One axial slice (31 of 64, counting up from the lowest) of a contrast-enhanced abdominal CT acquired with 120 kVp, kernel B; each pixel is 0.977 mm and the slice is 4.00 mm thick.
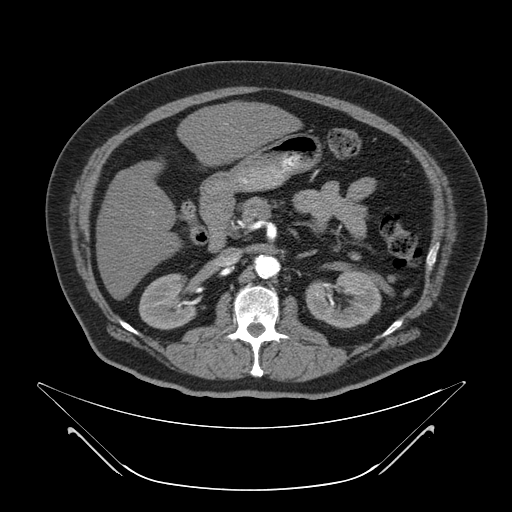
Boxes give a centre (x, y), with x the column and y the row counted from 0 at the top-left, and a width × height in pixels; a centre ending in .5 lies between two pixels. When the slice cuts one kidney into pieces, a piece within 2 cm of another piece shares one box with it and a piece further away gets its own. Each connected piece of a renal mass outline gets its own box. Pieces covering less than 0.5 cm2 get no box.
Boxed on this slice (two kidney boxes), listed by box centre from the image's left to its right: (1) Right kidney, box centre (168, 301), 59 × 57 pixels (outlined area 2,524 px, about 24.1 cm2). (2) Left kidney in a box with centre (343, 299), 77 × 59 pixels (outlined area 3,167 px, about 30.2 cm2). No renal mass is outlined on this slice.